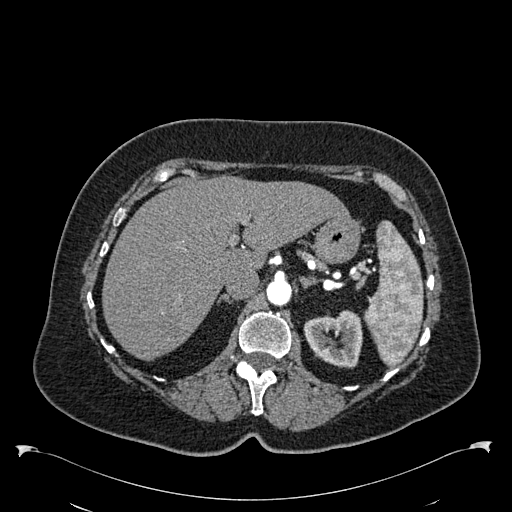
Arterial-phase contrast-enhanced abdominal CT, axial slice 408 of 538 (counted from the lowest slice); tube voltage 120 kVp, convolution kernel B30f; slices 1.00 mm thick, 0.811 mm per pixel.
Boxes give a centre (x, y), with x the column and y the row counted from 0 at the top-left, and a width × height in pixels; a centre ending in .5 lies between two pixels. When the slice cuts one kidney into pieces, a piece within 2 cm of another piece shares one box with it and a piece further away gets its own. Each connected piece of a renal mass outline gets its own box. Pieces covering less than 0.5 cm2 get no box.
Left kidney in a box with centre (332.5, 339), 60 × 59 pixels (outlined area 2,517 px, about 16.5 cm2). This slice carries no renal mass outline.